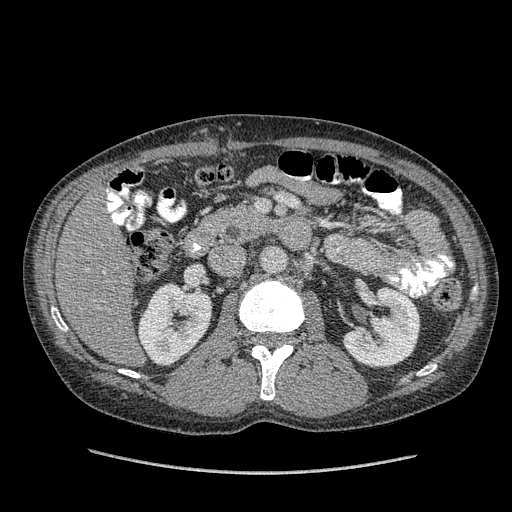
Axial slice 216 of 349 of a contrast-enhanced abdominal CT in the arterial phase (slice 1 is the lowest), 120 kVp, kernel STANDARD; 1.25 mm slice thickness and 0.742 mm pixels.
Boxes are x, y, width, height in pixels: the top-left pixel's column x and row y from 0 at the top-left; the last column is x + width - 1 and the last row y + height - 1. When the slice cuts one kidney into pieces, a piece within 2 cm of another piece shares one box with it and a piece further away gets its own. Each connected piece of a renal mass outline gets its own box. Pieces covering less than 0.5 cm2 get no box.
Two boxes on this slice (two kidney boxes), listed by box centre from the image's left to its right. (1) Right kidney, box x 136, y 282, width 77, height 84 (outlined area 4,415 px, about 24.3 cm2). (2) Left kidney, box x 343, y 286, width 78, height 82 (outlined area 4,421 px, about 24.4 cm2). No renal mass is outlined on this slice.